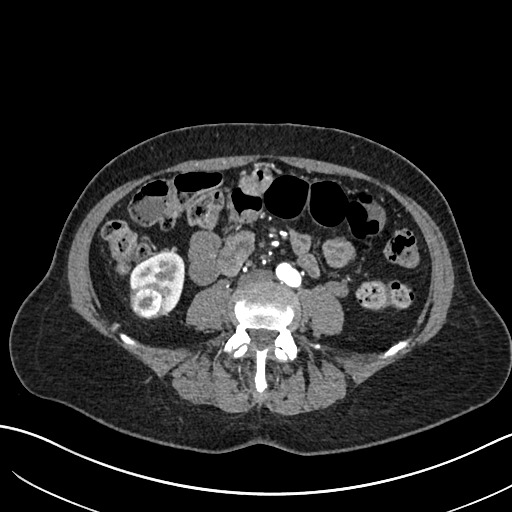
Axial slice 269 of 683 of a contrast-enhanced abdominal CT in the arterial phase (slice 1 is the lowest), 120 kVp, kernel I30f; 1.00 mm slice thickness and 0.738 mm pixels.
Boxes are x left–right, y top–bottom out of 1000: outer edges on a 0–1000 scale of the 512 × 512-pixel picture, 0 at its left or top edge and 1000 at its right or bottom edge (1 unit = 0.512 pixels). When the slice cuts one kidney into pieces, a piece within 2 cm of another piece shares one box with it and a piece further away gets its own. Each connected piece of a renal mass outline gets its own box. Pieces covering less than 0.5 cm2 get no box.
Two boxes on this slice (one kidney box and one renal mass box), listed by box centre from the image's left to its right. (1) Right renal mass at x 254–322, y 551–625 out of 1000 (outlined area 1,087 px, about 5.9 cm2). (2) Right kidney at x 252–361, y 490–617 out of 1000 (outlined area 1,933 px, about 10.5 cm2).